Contrast-enhanced abdominal CT, axial slice 61 of 95 (counted from the lowest slice); tube voltage 120 kVp, convolution kernel STANDARD; slices 5.00 mm thick, 0.781 mm per pixel.
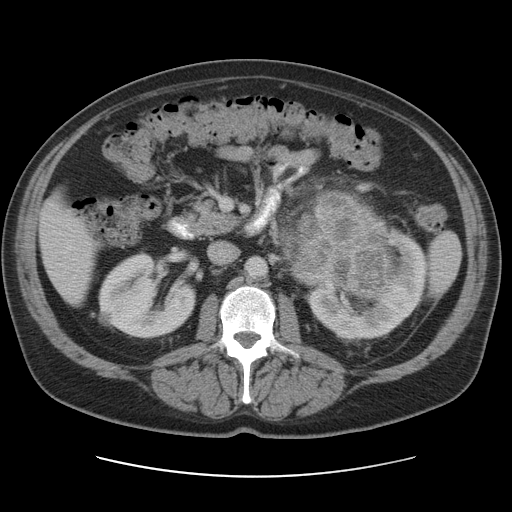
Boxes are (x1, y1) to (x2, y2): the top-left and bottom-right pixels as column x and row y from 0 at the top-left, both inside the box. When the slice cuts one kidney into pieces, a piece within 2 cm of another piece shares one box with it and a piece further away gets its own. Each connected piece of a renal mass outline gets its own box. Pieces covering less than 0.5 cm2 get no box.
Two kidney boxes and one renal mass box on this slice; by box centre, from the image's left to its right: (1) Box (98, 253) to (195, 339): right kidney (outlined area 6,062 px, about 37.0 cm2). (2) Left renal mass, box (282, 189) to (396, 296) (outlined area 9,109 px, about 55.6 cm2). (3) Box (308, 226) to (425, 340): left kidney (outlined area 5,963 px, about 36.4 cm2).